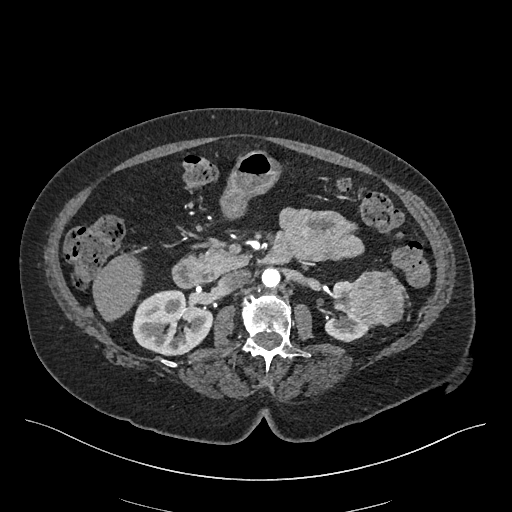
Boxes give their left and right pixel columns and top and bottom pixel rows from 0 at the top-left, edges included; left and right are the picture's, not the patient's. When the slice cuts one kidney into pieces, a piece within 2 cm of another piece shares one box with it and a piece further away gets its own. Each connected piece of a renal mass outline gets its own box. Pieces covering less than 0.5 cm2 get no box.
Slice 253/548 of a contrast-enhanced abdominal CT in the arterial phase, counting up from the lowest; pixel size 0.852 mm, slice thickness 1.00 mm. Boxed on this slice (two kidney boxes and one renal mass box), listed by box centre from the image's left to its right: (1) Right kidney in the box with left 132, top 289, right 211, bottom 355 (outlined area 4,070 px, about 29.5 cm2). (2) Left kidney in the box with left 324, top 280, right 369, bottom 342 (outlined area 1,327 px, about 9.6 cm2). (3) Box with left 342, top 270, right 405, bottom 327: left renal mass (outlined area 2,849 px, about 20.7 cm2).
Tube voltage 120 kVp; convolution kernel I26f.